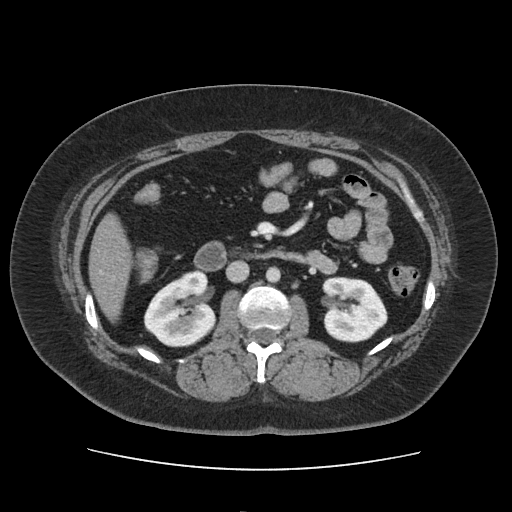
Abdominal CT with intravenous contrast, arterial phase, axial plane, 120 kVp, kernel FC19. Slice 67/103 from the bottom of the scan; thickness 5.00 mm; pixel size 0.873 mm.
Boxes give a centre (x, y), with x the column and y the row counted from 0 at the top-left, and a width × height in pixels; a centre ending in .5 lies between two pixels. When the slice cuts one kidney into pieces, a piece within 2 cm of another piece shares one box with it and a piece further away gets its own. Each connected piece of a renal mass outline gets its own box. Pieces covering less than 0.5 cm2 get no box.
Two kidney boxes on this slice; by box centre, from the image's left to its right: (1) Right kidney in a box with centre (180.5, 307.5), 74 × 80 pixels (outlined area 4,098 px, about 31.2 cm2). (2) Left kidney in a box with centre (354, 309.5), 67 × 66 pixels (outlined area 3,492 px, about 26.6 cm2). This slice carries no renal mass outline.